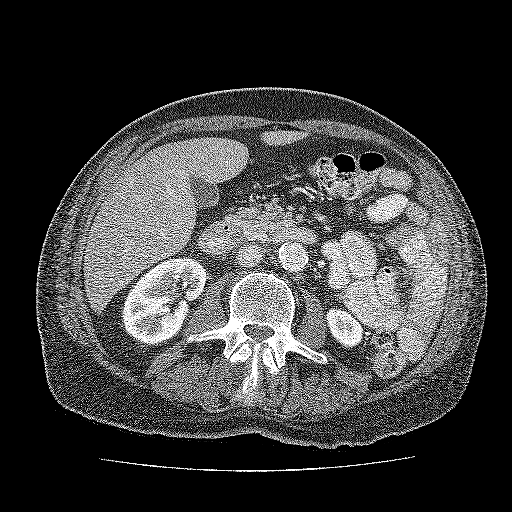
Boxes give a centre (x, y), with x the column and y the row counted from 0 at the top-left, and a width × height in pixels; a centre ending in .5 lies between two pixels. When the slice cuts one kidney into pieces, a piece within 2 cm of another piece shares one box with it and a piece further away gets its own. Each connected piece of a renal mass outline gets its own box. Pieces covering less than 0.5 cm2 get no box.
This is axial slice 88 of 137 (slice 1 is the lowest) of an abdominal CT with contrast; each pixel is 0.741 mm and the slice is 3.00 mm thick. Two boxes on this slice (two kidney boxes), listed by box centre from the image's left to its right. (1) Box centre (164, 302.5), 87 × 88 pixels: kidney (outlined area 5,266 px, about 28.9 cm2). (2) Kidney in a box with centre (345, 327.5), 39 × 42 pixels (outlined area 1,140 px, about 6.3 cm2). No renal mass is outlined on this slice.
Acquired at 120 kVp and reconstructed with the FC52 kernel.